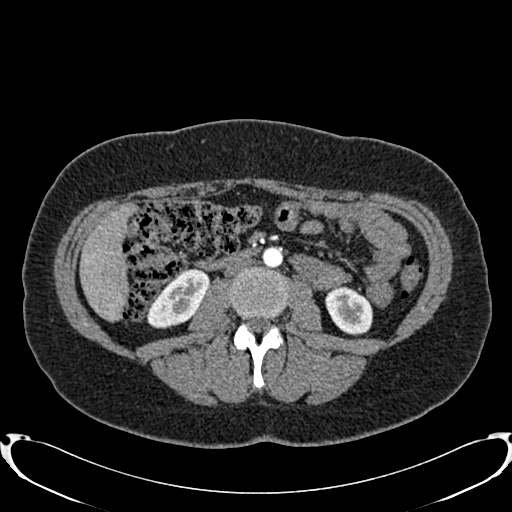
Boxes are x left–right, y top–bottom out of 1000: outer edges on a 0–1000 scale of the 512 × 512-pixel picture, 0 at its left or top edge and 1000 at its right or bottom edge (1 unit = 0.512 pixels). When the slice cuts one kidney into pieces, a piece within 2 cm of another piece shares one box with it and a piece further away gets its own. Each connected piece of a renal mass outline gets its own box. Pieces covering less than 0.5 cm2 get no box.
This is axial slice 398 of 719 (slice 1 is the lowest) of an arterial-phase abdominal CT with contrast; each pixel is 0.766 mm and the slice is 1.00 mm thick. Boxed on this slice (two kidney boxes), listed by box centre from the image's left to its right: (1) Right kidney, box x 285–410, y 521–643 out of 1000 (outlined area 2,345 px, about 13.7 cm2). (2) Box x 635–729, y 559–654 out of 1000: left kidney (outlined area 1,768 px, about 10.4 cm2). No renal mass is outlined on this slice.
Acquired at 120 kVp and reconstructed with the B20f kernel.